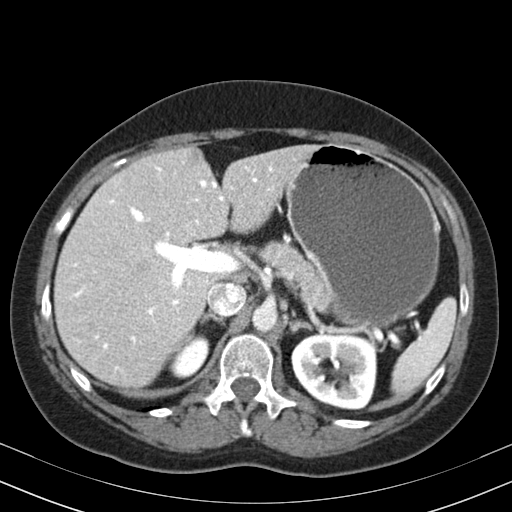
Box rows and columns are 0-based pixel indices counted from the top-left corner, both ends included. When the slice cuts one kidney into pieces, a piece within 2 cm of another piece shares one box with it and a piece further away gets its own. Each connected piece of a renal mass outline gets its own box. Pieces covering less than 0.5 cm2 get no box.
Slice 129/164 of a contrast-enhanced abdominal CT in the arterial phase, counting up from the lowest; pixel size 0.664 mm, slice thickness 3.00 mm. Two boxes on this slice (two kidney boxes), listed by box centre from the image's left to its right. (1) Box rows 334–377, columns 169–209: right kidney (outlined area 1,195 px, about 5.3 cm2). (2) Box rows 332–409, columns 291–377: left kidney (outlined area 5,370 px, about 23.7 cm2). No renal mass outline on this slice.
Acquired at 130 kVp and reconstructed with the B30s kernel.